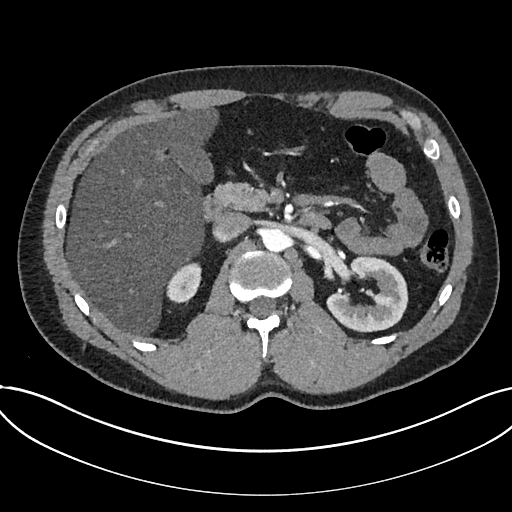
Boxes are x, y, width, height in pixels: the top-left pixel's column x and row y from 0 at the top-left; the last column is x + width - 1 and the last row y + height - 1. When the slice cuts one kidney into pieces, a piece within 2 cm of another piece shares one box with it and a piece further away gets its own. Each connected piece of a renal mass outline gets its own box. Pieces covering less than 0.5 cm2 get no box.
Slice 463/735 of a contrast-enhanced abdominal CT in the arterial phase, counting up from the lowest; pixel size 0.789 mm, slice thickness 1.00 mm. Two boxes on this slice (two kidney boxes), listed by box centre from the image's left to its right. (1) Kidney, box x 166, y 262, width 36, height 42 (outlined area 1,060 px, about 6.6 cm2). (2) Kidney, box x 326, y 256, width 83, height 77 (outlined area 4,148 px, about 25.8 cm2). No renal mass outline on this slice.
Scan settings: 120 kVp, I30f reconstruction kernel.